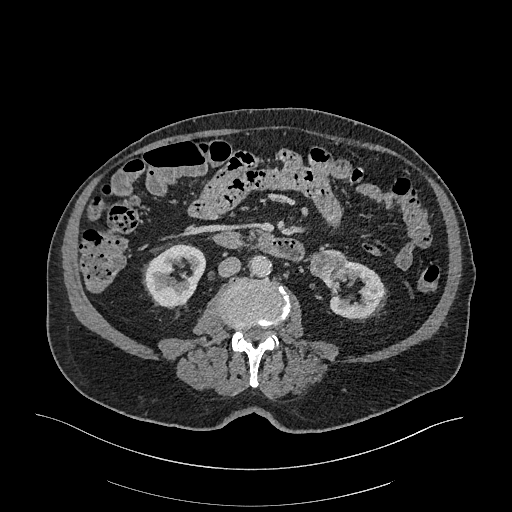
Arterial-phase contrast-enhanced abdominal CT, axial slice 115 of 470 (counted from the lowest slice); tube voltage 120 kVp, convolution kernel I26f; slices 1.00 mm thick, 0.938 mm per pixel.
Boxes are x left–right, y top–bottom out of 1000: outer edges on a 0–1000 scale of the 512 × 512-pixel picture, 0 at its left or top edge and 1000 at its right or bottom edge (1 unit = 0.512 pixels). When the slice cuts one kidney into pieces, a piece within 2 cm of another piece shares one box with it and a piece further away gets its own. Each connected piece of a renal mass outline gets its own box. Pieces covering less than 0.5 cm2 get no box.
Three boxes on this slice (two kidney boxes and one renal mass box), listed by box centre from the image's left to its right. (1) Right kidney at x 281–402, y 477–604 out of 1000 (outlined area 2,837 px, about 24.9 cm2). (2) Left renal mass at x 604–678, y 486–551 out of 1000 (outlined area 943 px, about 8.3 cm2). (3) Left kidney, box x 629–752, y 504–625 out of 1000 (outlined area 2,153 px, about 18.9 cm2).